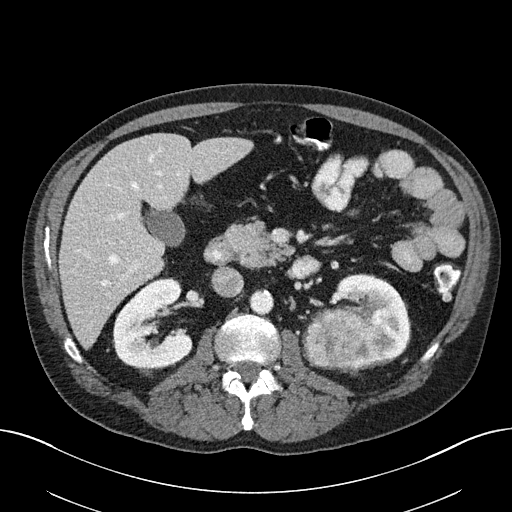
Contrast-enhanced abdominal CT, axial slice 111 of 163 (counted from the lowest slice); tube voltage 100 kVp, convolution kernel I40f; slices 3.00 mm thick, 0.799 mm per pixel.
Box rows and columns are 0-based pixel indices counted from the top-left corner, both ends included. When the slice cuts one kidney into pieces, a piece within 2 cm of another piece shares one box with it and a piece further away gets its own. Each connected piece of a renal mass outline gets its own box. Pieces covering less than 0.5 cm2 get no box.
Boxed on this slice (two kidney boxes and one renal mass box), listed by box centre from the image's left to its right: (1) Right kidney, box rows 278–370, columns 113–192 (outlined area 4,903 px, about 31.3 cm2). (2) Left renal mass, box rows 309–368, columns 304–364 (outlined area 2,857 px, about 18.2 cm2). (3) Left kidney at rows 274–367, columns 318–409 (outlined area 4,600 px, about 29.4 cm2).